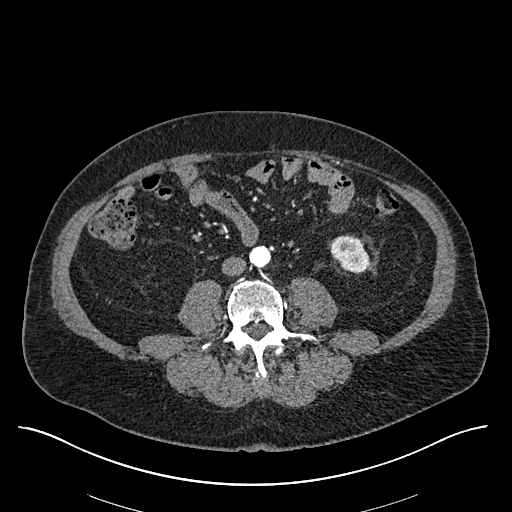
Axial slice 212 of 670 of a contrast-enhanced abdominal CT in the arterial phase (slice 1 is the lowest), 120 kVp, kernel I30f; 1.00 mm slice thickness and 0.861 mm pixels.
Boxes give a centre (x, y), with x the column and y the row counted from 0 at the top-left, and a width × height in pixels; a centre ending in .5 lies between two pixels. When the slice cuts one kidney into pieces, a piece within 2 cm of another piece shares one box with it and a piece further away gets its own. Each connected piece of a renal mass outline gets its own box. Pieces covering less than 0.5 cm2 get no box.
Left kidney in a box with centre (350.5, 253.5), 42 × 38 pixels (outlined area 1,149 px, about 8.5 cm2). This slice carries no renal mass outline.